Axial slice 142 of 302 of a contrast-enhanced abdominal CT in the arterial phase (slice 1 is the lowest), 100 kVp, kernel I30f; 5.00 mm slice thickness and 0.875 mm pixels.
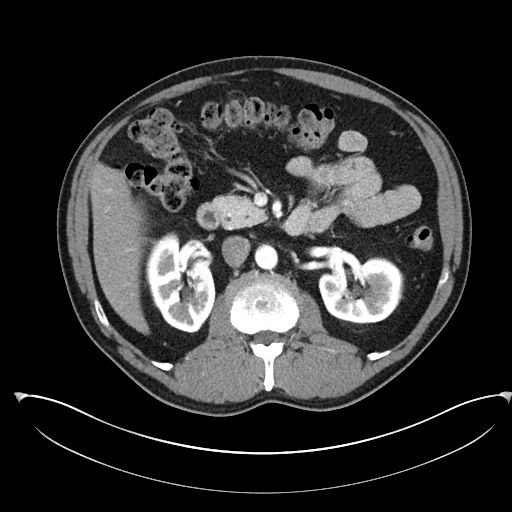
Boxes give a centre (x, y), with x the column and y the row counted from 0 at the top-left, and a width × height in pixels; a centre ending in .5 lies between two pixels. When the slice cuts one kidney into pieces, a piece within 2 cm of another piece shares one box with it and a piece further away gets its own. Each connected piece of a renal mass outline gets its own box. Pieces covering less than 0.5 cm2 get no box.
Two kidney boxes on this slice; by box centre, from the image's left to its right: (1) Right kidney in a box with centre (180, 282), 71 × 103 pixels (outlined area 5,258 px, about 40.3 cm2). (2) Left kidney in a box with centre (361, 290), 87 × 69 pixels (outlined area 4,460 px, about 34.1 cm2). This slice carries no renal mass outline.